Abdominal CT with intravenous contrast, axial plane, 120 kVp, kernel B41f. Slice 78/91 from the bottom of the scan; thickness 5.00 mm; pixel size 0.762 mm.
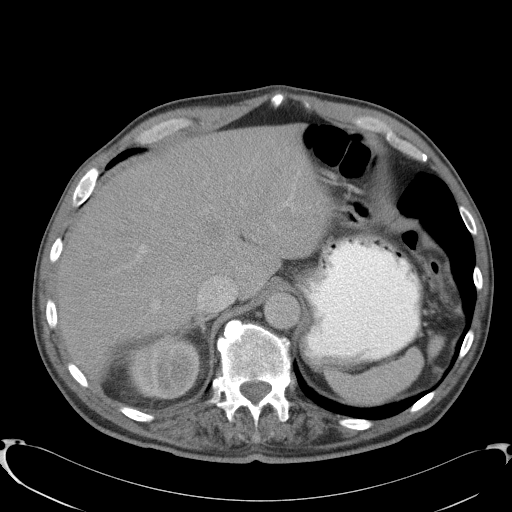
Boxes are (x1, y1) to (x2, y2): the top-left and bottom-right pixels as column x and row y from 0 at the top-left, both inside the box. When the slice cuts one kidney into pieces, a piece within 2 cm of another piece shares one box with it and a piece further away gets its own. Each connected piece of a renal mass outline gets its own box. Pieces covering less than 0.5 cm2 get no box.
Right kidney, box (123, 337) to (201, 400) (outlined area 3,822 px, about 22.2 cm2). No renal mass is outlined on this slice.